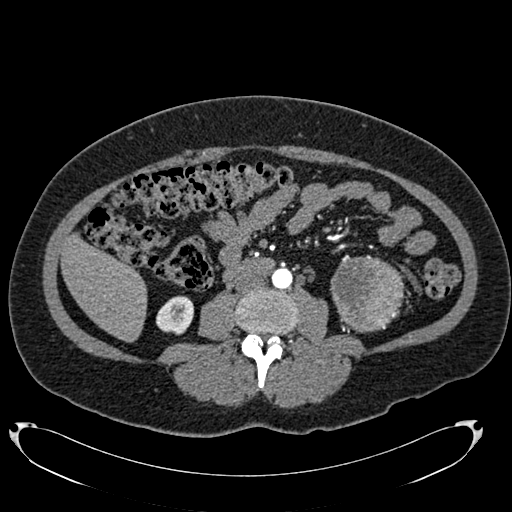
Axial slice 334 of 634 of a contrast-enhanced abdominal CT in the arterial phase (slice 1 is the lowest), 120 kVp, kernel B20f; 1.00 mm slice thickness and 0.838 mm pixels.
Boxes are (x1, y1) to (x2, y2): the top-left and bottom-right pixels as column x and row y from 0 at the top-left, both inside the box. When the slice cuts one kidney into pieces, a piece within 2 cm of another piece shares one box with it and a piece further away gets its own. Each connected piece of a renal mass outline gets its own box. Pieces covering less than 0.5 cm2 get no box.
Boxed on this slice (one kidney box and one renal mass box), listed by box centre from the image's left to its right: (1) Right kidney from (156, 296) to (193, 334) (outlined area 1,141 px, about 8.0 cm2). (2) Box (330, 254) to (404, 332): left renal mass (outlined area 4,478 px, about 31.4 cm2); here it is more than 1 cm from any kidney outline, though on another slice the same outlined renal mass lies within 1 cm of the kidney.